One axial slice (61 of 326, counting up from the lowest) of an arterial-phase abdominal CT acquired with 120 kVp, kernel B31f; each pixel is 0.963 mm and the slice is 2.00 mm thick.
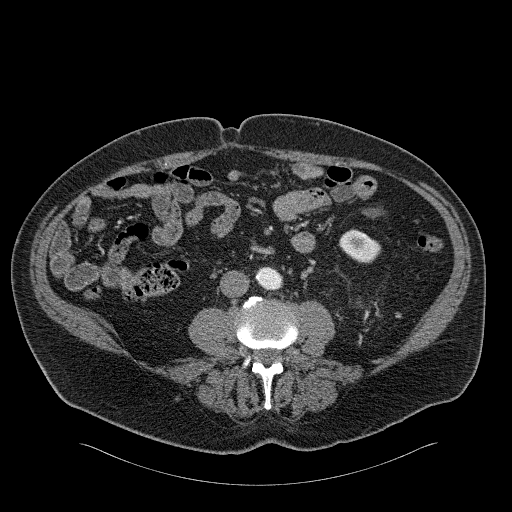
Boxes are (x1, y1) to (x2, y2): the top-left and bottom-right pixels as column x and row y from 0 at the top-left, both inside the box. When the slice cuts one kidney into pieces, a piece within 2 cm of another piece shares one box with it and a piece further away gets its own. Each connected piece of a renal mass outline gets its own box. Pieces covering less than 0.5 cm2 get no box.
Left kidney, box (339, 229) to (380, 263) (outlined area 1,001 px, about 9.3 cm2).